Axial slice 350 of 553 of a contrast-enhanced abdominal CT in the arterial phase (slice 1 is the lowest), 120 kVp, kernel B20f; 1.00 mm slice thickness and 0.773 mm pixels.
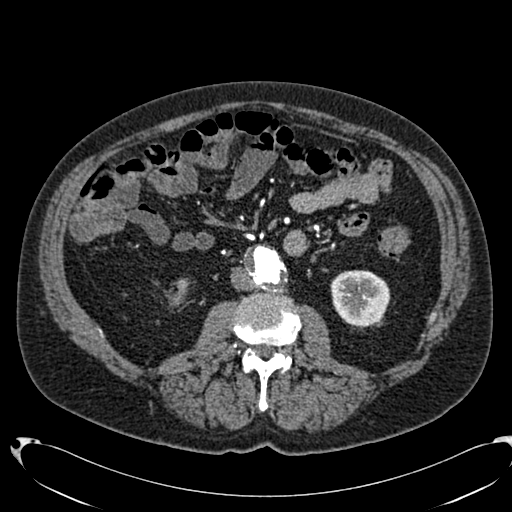
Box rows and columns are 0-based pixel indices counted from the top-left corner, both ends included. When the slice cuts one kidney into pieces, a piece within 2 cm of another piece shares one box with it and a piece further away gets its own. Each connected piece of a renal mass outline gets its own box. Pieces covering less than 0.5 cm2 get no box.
Boxed on this slice (two kidney boxes), listed by box centre from the image's left to its right: (1) Right kidney, box rows 280–306, columns 169–187 (outlined area 280 px, about 1.7 cm2). (2) Left kidney at rows 270–327, columns 330–390 (outlined area 2,751 px, about 16.5 cm2). No renal mass outline on this slice.